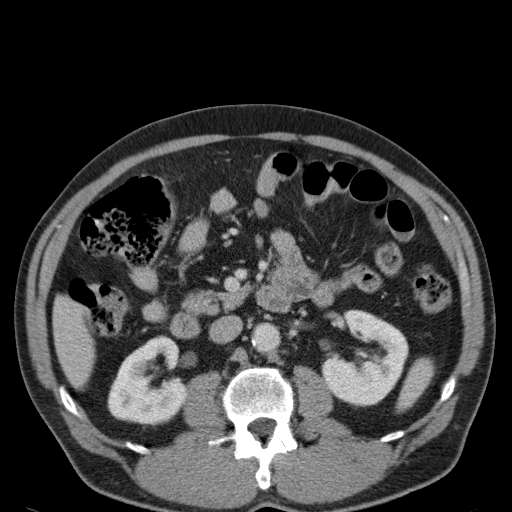
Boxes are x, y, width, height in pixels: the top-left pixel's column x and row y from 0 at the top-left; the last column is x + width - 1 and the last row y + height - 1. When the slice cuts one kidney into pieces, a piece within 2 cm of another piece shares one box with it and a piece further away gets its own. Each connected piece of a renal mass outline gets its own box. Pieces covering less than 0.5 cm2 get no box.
This is axial slice 66 of 107 (slice 1 is the lowest) of an abdominal CT with contrast; each pixel is 0.730 mm and the slice is 5.00 mm thick. Boxed on this slice (two kidney boxes), listed by box centre from the image's left to its right: (1) Box x 107, y 336, width 79, height 93: right kidney (outlined area 4,879 px, about 26.0 cm2). (2) Left kidney, box x 321, y 311, width 88, height 97 (outlined area 5,506 px, about 29.4 cm2). This slice carries no renal mass outline.
Acquired at 120 kVp and reconstructed with the B31f kernel.